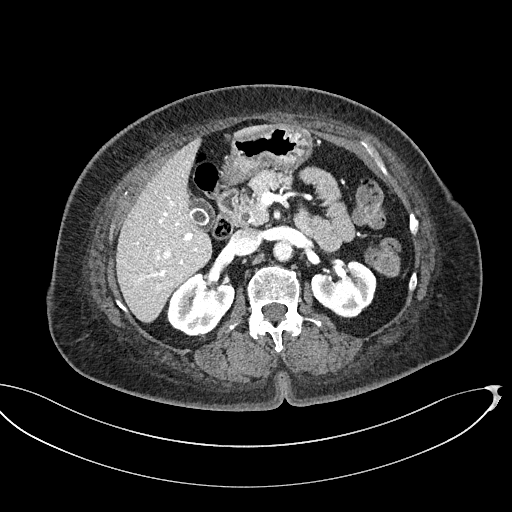
Abdominal CT with intravenous contrast, axial plane, 100 kVp, kernel I40f. Slice 313/439 from the bottom of the scan; thickness 2.00 mm; pixel size 0.850 mm.
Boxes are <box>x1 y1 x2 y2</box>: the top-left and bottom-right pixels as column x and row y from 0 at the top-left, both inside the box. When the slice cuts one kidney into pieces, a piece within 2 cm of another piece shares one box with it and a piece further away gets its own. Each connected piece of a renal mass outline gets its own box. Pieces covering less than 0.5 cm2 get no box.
Two boxes on this slice (two kidney boxes), listed by box centre from the image's left to its right. (1) Right kidney: <box>167 273 234 336</box> (outlined area 3,060 px, about 22.1 cm2). (2) Left kidney: <box>310 260 376 318</box> (outlined area 2,759 px, about 19.9 cm2). No renal mass is outlined on this slice.